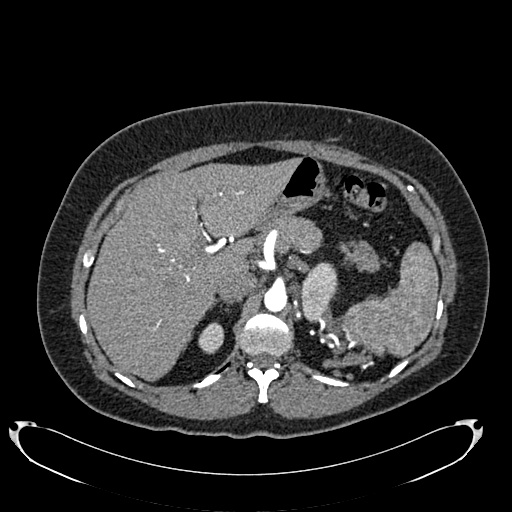
Axial slice 534 of 634 of a contrast-enhanced abdominal CT in the arterial phase (slice 1 is the lowest), 120 kVp, kernel B20f; 1.00 mm slice thickness and 0.838 mm pixels.
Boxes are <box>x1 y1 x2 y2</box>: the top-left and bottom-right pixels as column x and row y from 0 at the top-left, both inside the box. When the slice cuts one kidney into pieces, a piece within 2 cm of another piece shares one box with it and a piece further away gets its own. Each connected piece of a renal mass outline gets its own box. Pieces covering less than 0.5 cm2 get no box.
Two kidney boxes on this slice; by box centre, from the image's left to its right: (1) Right kidney at <box>198 322 223 354</box> (outlined area 620 px, about 4.4 cm2). (2) Left kidney at <box>300 262 338 322</box> (outlined area 1,661 px, about 11.7 cm2). This slice carries no renal mass outline.